Axial slice 458 of 591 of a contrast-enhanced abdominal CT in the arterial phase (slice 1 is the lowest), 140 kVp, kernel I30f; 1.00 mm slice thickness and 0.703 mm pixels.
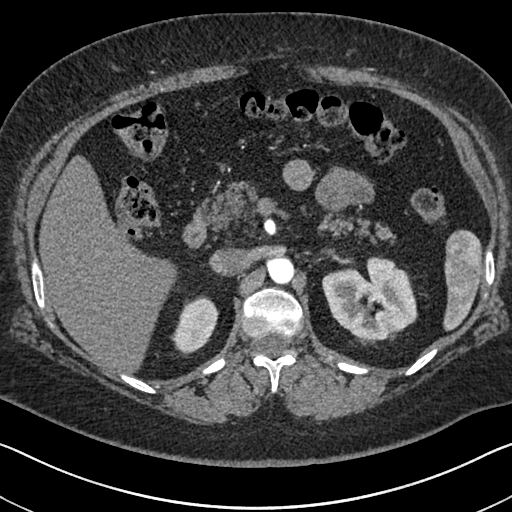
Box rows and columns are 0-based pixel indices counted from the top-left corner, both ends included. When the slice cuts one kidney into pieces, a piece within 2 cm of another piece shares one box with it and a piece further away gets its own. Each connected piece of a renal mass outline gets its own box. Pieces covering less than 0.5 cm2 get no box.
Two boxes on this slice (two kidney boxes), listed by box centre from the image's left to its right. (1) Box rows 295–354, columns 170–218: right kidney (outlined area 1,901 px, about 9.4 cm2). (2) Box rows 256–340, columns 322–417: left kidney (outlined area 5,740 px, about 28.4 cm2). This slice carries no renal mass outline.